Contrast-enhanced abdominal CT, axial slice 54 of 103 (counted from the lowest slice); tube voltage 120 kVp, convolution kernel B31f; slices 5.00 mm thick, 0.801 mm per pixel.
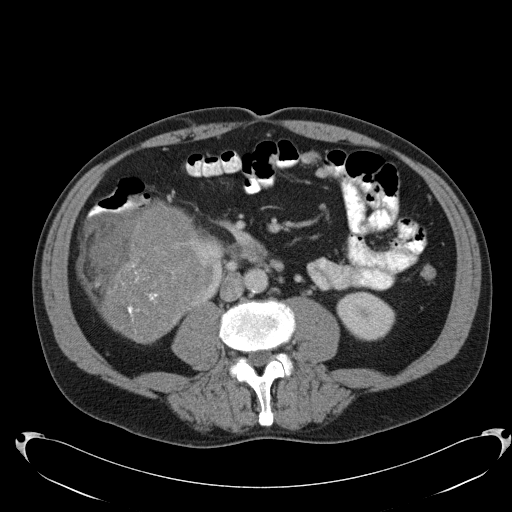
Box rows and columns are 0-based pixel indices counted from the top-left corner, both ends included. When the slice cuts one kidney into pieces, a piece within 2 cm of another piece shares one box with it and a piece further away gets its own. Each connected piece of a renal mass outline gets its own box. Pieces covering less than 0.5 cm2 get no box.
Boxed on this slice (two kidney boxes and one renal mass box), listed by box centre from the image's left to its right: (1) Box rows 205–344, columns 87–207: right renal mass (outlined area 12,697 px, about 81.4 cm2). (2) Box rows 227–302, columns 199–225: right kidney (outlined area 1,092 px, about 7.0 cm2). (3) Box rows 291–341, columns 336–395: left kidney (outlined area 2,205 px, about 14.1 cm2).